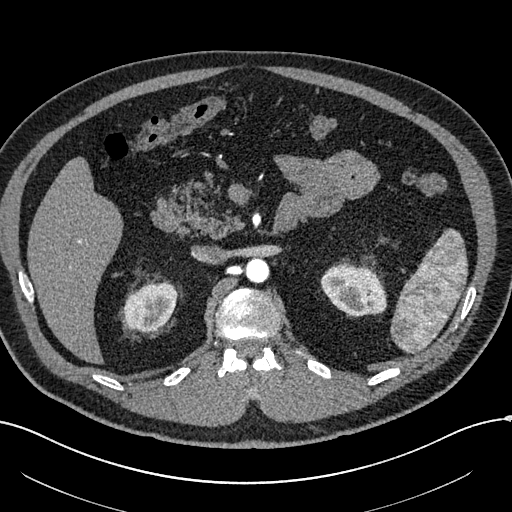
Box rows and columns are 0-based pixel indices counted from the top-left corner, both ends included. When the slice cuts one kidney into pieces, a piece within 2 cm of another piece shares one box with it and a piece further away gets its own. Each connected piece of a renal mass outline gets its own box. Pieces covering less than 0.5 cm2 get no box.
Slice 399/602 of a contrast-enhanced abdominal CT in the arterial phase, counting up from the lowest; pixel size 0.799 mm, slice thickness 1.00 mm. Boxed on this slice (two kidney boxes), listed by box centre from the image's left to its right: (1) Box rows 282–332, columns 124–177: right kidney (outlined area 2,101 px, about 13.4 cm2). (2) Left kidney at rows 263–316, columns 320–387 (outlined area 2,672 px, about 17.1 cm2). No renal mass is outlined on this slice.
Acquired at 120 kVp and reconstructed with the I30f kernel.